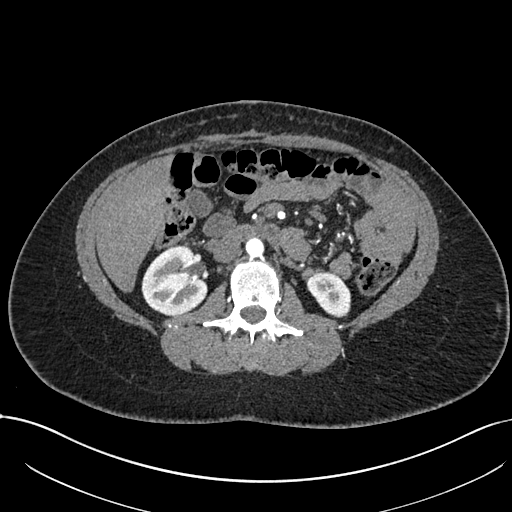
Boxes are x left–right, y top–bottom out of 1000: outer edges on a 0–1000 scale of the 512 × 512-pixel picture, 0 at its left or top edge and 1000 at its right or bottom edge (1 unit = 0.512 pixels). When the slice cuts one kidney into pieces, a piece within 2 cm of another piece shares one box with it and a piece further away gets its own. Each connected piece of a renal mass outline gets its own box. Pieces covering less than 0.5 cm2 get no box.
Arterial-phase contrast-enhanced abdominal CT, axial slice 399 of 738 (counted from the lowest slice); 1.00 mm thick, 0.789 mm per pixel. Two boxes on this slice (two kidney boxes), listed by box centre from the image's left to its right. (1) Right kidney at x 275–408, y 479–617 out of 1000 (outlined area 3,476 px, about 21.6 cm2). (2) Left kidney at x 600–686, y 529–621 out of 1000 (outlined area 1,457 px, about 9.1 cm2). No renal mass is outlined on this slice.
Acquired at 120 kVp and reconstructed with the I30f kernel.